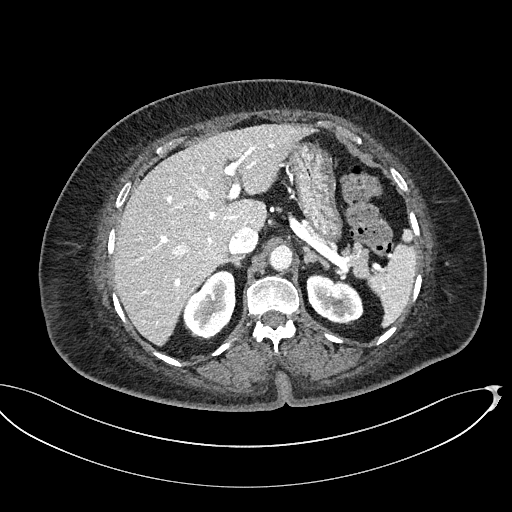
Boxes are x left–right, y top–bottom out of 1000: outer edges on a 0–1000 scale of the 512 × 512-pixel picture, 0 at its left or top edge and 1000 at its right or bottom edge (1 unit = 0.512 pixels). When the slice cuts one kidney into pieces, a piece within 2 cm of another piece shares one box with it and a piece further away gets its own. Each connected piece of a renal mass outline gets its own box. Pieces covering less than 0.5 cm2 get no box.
Contrast-enhanced abdominal CT, axial slice 350 of 439 (counted from the lowest slice); 2.00 mm thick, 0.850 mm per pixel. Two boxes on this slice (two kidney boxes), listed by box centre from the image's left to its right. (1) Right kidney at x 357–461, y 527–664 out of 1000 (outlined area 2,660 px, about 19.2 cm2). (2) Box x 598–711, y 533–635 out of 1000: left kidney (outlined area 2,110 px, about 15.2 cm2). No renal mass outline on this slice.
Tube voltage 100 kVp; convolution kernel I40f.